One axial slice (206 of 538, counting up from the lowest) of an arterial-phase abdominal CT acquired with 120 kVp, kernel B30f; each pixel is 0.811 mm and the slice is 1.00 mm thick.
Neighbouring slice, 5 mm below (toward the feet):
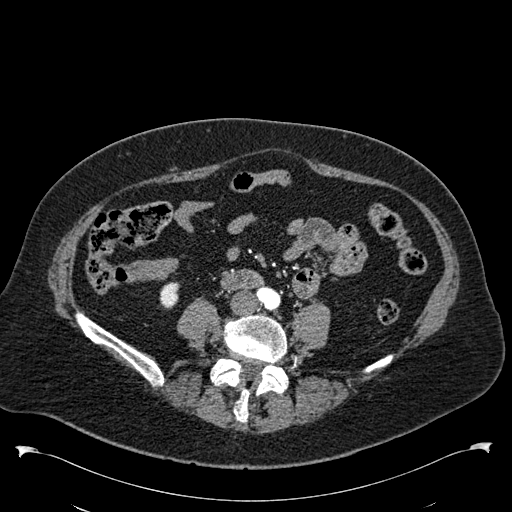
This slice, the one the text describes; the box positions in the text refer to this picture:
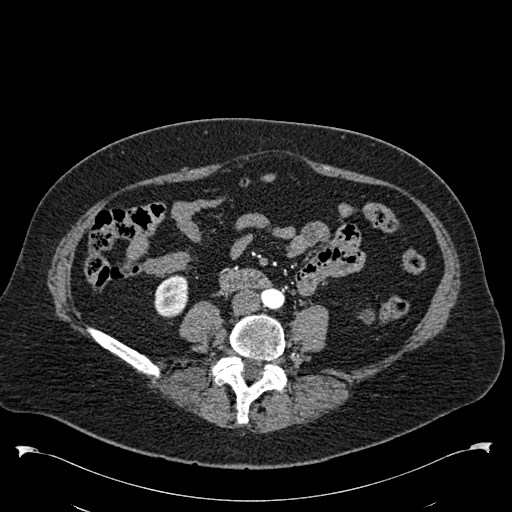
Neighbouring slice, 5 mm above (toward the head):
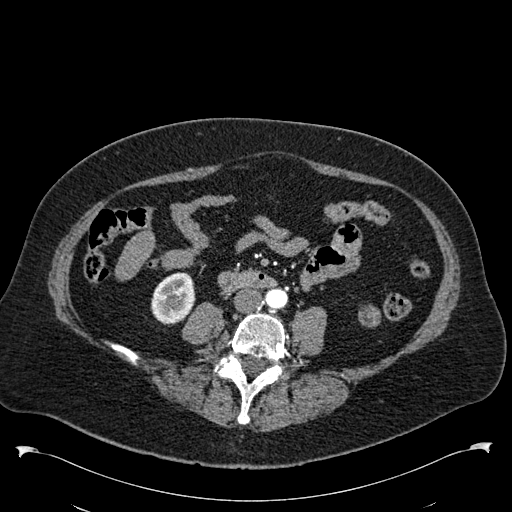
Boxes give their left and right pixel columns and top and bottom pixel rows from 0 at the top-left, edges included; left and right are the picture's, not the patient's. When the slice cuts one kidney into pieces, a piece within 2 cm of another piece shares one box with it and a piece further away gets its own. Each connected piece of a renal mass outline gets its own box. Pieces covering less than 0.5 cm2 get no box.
One kidney box and one renal mass box on this slice; by box centre, from the image's left to its right: (1) Right kidney in the box with left 154, top 274, right 188, bottom 317 (outlined area 1,185 px, about 7.8 cm2). (2) Left renal mass, the box with left 358, top 309, right 374, bottom 323 (outlined area 163 px, about 1.1 cm2); it sits over 1 cm from every kidney outline on this slice, but the same outlined renal mass comes within 1 cm of the kidney on another slice. This slice lies near the end of the left renal mass toward the feet; the slices 5 mm below and 5 mm above it are shown too, and the boxes mark positions on this slice only.